Axial slice 530 of 634 of a contrast-enhanced abdominal CT in the arterial phase (slice 1 is the lowest), 120 kVp, kernel B20f; 1.00 mm slice thickness and 0.838 mm pixels.
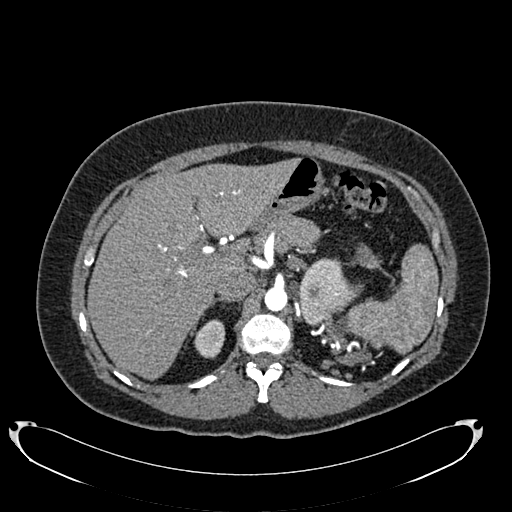
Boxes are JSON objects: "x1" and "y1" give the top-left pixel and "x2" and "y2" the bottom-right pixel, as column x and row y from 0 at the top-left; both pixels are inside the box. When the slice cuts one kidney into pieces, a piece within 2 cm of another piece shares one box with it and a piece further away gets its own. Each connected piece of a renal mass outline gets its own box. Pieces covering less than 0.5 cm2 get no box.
Two kidney boxes on this slice; by box centre, from the image's left to its right: (1) Right kidney at {"x1": 194, "y1": 319, "x2": 225, "y2": 358} (outlined area 925 px, about 6.5 cm2). (2) Left kidney, box {"x1": 299, "y1": 258, "x2": 358, "y2": 325} (outlined area 2,667 px, about 18.7 cm2). No renal mass outline on this slice.